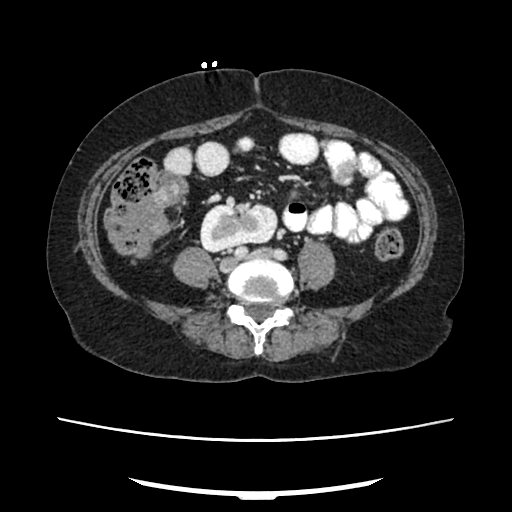
One axial slice (97 of 207, counting up from the lowest) of an arterial-phase abdominal CT acquired with 120 kVp, kernel FC18; each pixel is 0.741 mm and the slice is 2.00 mm thick.
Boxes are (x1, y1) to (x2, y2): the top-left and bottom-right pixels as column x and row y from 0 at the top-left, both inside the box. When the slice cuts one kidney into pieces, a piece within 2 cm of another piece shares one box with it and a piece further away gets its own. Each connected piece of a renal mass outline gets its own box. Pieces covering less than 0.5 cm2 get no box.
Box (200, 202) to (277, 252): right kidney (outlined area 3,097 px, about 17.0 cm2). No renal mass is outlined on this slice.